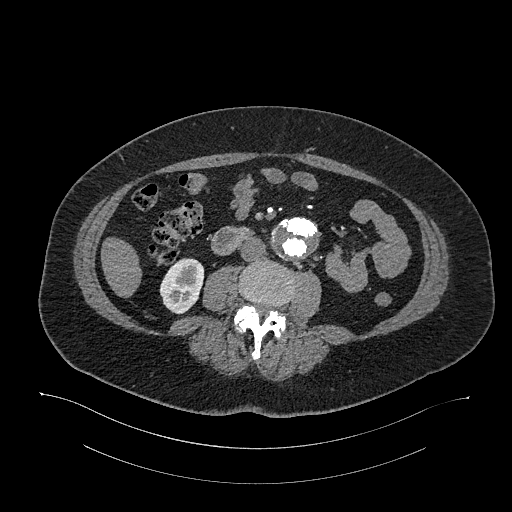
One axial slice (556 of 987, counting up from the lowest) of an arterial-phase abdominal CT acquired with 120 kVp, kernel I26f; each pixel is 0.977 mm and the slice is 1.00 mm thick.
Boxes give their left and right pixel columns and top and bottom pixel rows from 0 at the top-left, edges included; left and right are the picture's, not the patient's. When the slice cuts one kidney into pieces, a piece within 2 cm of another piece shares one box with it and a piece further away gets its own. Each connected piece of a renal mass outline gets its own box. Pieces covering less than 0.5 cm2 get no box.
Right kidney in the box with left 159, top 258, right 204, bottom 314 (outlined area 1,869 px, about 17.8 cm2). No renal mass outline on this slice.